Arterial-phase contrast-enhanced abdominal CT, axial slice 441 of 735 (counted from the lowest slice); tube voltage 120 kVp, convolution kernel I30f; slices 1.00 mm thick, 0.789 mm per pixel.
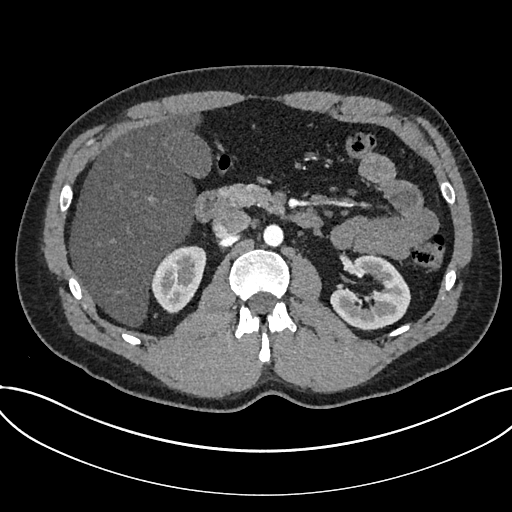
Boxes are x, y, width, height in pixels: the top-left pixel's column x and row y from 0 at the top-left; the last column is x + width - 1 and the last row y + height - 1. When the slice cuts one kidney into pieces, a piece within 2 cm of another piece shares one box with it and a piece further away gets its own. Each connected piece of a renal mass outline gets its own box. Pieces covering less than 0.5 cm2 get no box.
Two kidney boxes on this slice; by box centre, from the image's left to its right: (1) Kidney, box x 151, y 245, width 56, height 68 (outlined area 2,669 px, about 16.6 cm2). (2) Box x 330, y 255, width 80, height 76: kidney (outlined area 3,924 px, about 24.4 cm2). No renal mass is outlined on this slice.